Axial slice 469 of 719 of a contrast-enhanced abdominal CT in the arterial phase (slice 1 is the lowest), 120 kVp, kernel B20f; 1.00 mm slice thickness and 0.766 mm pixels.
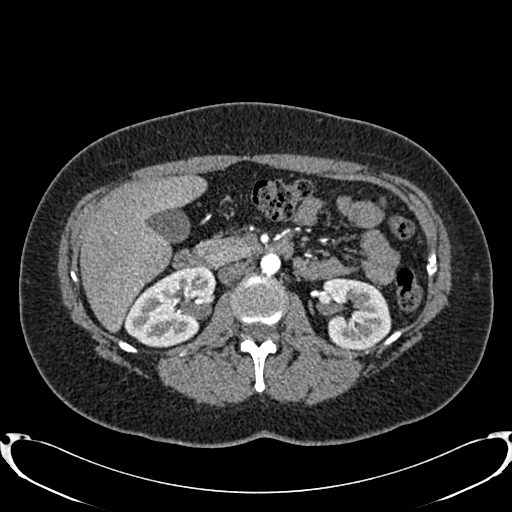
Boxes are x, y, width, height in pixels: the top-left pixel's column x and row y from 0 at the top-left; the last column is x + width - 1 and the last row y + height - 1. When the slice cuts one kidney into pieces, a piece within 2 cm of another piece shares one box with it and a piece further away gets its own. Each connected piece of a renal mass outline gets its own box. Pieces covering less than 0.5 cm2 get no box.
Two boxes on this slice (two kidney boxes), listed by box centre from the image's left to its right. (1) Box x 124, y 266, width 92, height 82: right kidney (outlined area 5,161 px, about 30.3 cm2). (2) Box x 322, y 277, width 70, height 73: left kidney (outlined area 3,925 px, about 23.0 cm2). No renal mass is outlined on this slice.